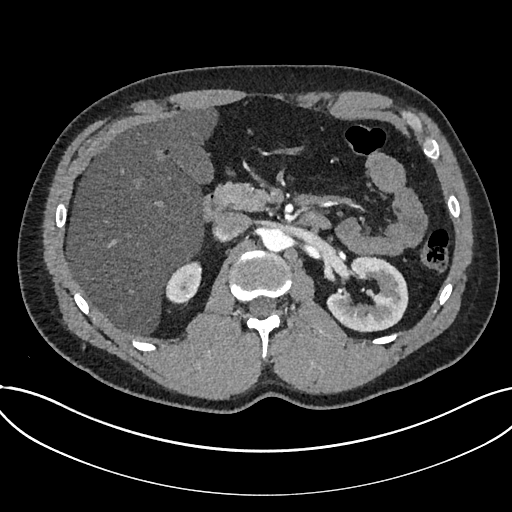
Arterial-phase contrast-enhanced abdominal CT, axial slice 462 of 735 (counted from the lowest slice); tube voltage 120 kVp, convolution kernel I30f; slices 1.00 mm thick, 0.789 mm per pixel.
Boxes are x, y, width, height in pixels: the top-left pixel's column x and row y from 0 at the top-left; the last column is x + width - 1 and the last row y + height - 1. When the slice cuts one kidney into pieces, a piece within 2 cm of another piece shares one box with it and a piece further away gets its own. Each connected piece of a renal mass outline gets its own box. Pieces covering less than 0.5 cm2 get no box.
Two boxes on this slice (two kidney boxes), listed by box centre from the image's left to its right. (1) Box x 165, y 261, width 38, height 44: kidney (outlined area 1,148 px, about 7.1 cm2). (2) Box x 326, y 256, width 83, height 77: kidney (outlined area 4,160 px, about 25.9 cm2). This slice carries no renal mass outline.